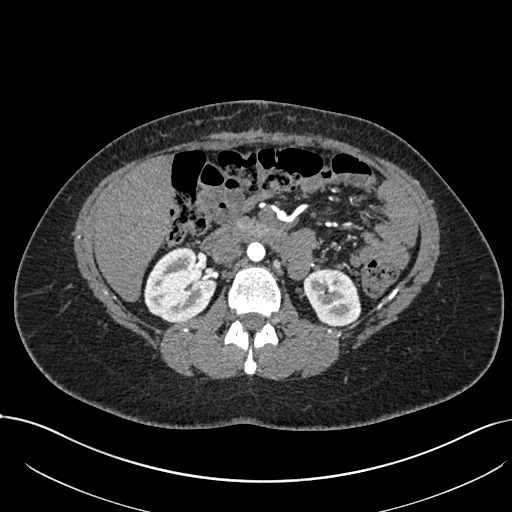
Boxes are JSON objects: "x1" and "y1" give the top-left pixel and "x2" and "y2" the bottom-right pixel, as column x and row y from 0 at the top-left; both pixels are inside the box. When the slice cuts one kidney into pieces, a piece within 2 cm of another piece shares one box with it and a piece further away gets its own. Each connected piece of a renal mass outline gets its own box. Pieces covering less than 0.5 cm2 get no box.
Slice 420/738 of a contrast-enhanced abdominal CT in the arterial phase, counting up from the lowest; pixel size 0.789 mm, slice thickness 1.00 mm. Boxed on this slice (two kidney boxes), listed by box centre from the image's left to its right: (1) Right kidney at {"x1": 144, "y1": 247, "x2": 217, "y2": 322} (outlined area 4,058 px, about 25.3 cm2). (2) Left kidney at {"x1": 303, "y1": 268, "x2": 361, "y2": 326} (outlined area 2,586 px, about 16.1 cm2). This slice carries no renal mass outline.
Tube voltage 120 kVp; convolution kernel I30f.